Abdominal CT with intravenous contrast, axial plane, 140 kVp, kernel I30f. Slice 499/787 from the bottom of the scan; thickness 1.00 mm; pixel size 0.910 mm.
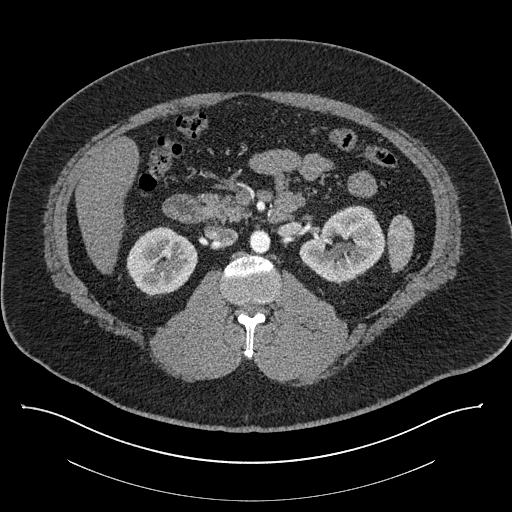
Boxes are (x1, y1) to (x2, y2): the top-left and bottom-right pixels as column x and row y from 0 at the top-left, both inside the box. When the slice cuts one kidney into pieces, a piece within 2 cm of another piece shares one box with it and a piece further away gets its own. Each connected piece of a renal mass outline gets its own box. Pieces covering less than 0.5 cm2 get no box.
Two kidney boxes on this slice; by box centre, from the image's left to its right: (1) Right kidney, box (126, 226) to (197, 296) (outlined area 3,691 px, about 30.6 cm2). (2) Left kidney from (299, 205) to (385, 282) (outlined area 4,556 px, about 37.7 cm2). No renal mass outline on this slice.